Arterial-phase contrast-enhanced abdominal CT, axial slice 410 of 602 (counted from the lowest slice); tube voltage 120 kVp, convolution kernel I30f; slices 1.00 mm thick, 0.799 mm per pixel.
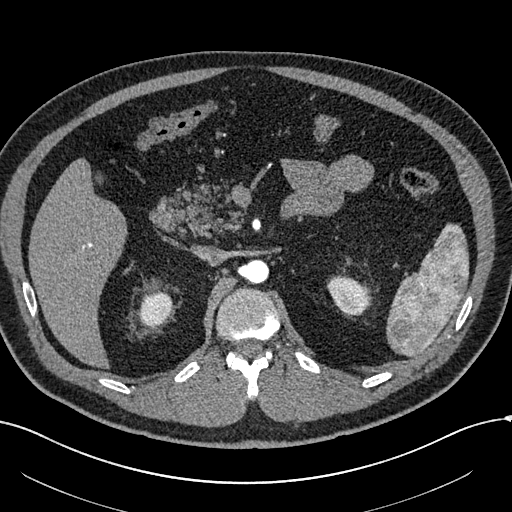
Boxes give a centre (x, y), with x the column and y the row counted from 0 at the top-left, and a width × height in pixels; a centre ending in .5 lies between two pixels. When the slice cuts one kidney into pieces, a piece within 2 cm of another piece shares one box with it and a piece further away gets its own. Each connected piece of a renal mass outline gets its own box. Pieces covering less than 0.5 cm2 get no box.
Two boxes on this slice (two kidney boxes), listed by box centre from the image's left to its right. (1) Right kidney, box centre (155, 309.5), 37 × 36 pixels (outlined area 1,020 px, about 6.5 cm2). (2) Box centre (347.5, 295), 44 × 41 pixels: left kidney (outlined area 1,259 px, about 8.0 cm2). No renal mass is outlined on this slice.